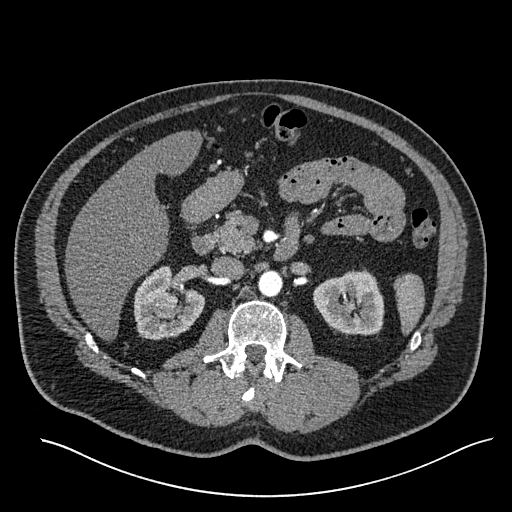
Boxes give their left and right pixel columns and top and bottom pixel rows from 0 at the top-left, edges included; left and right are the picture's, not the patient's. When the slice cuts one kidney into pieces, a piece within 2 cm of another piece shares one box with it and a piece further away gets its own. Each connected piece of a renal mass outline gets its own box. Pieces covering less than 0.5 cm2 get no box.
Arterial-phase contrast-enhanced abdominal CT, axial slice 349 of 527 (counted from the lowest slice); 1.00 mm thick, 0.859 mm per pixel. Three boxes on this slice (two kidney boxes and one renal mass box), listed by box centre from the image's left to its right. (1) Right renal mass, the box with left 155, top 291, right 177, bottom 310 (outlined area 382 px, about 2.8 cm2). (2) Right kidney, the box with left 133, top 265, right 205, bottom 340 (outlined area 3,410 px, about 25.2 cm2). (3) Left kidney, the box with left 313, top 268, right 384, bottom 336 (outlined area 3,672 px, about 27.1 cm2).
Tube voltage 120 kVp; convolution kernel I30f.